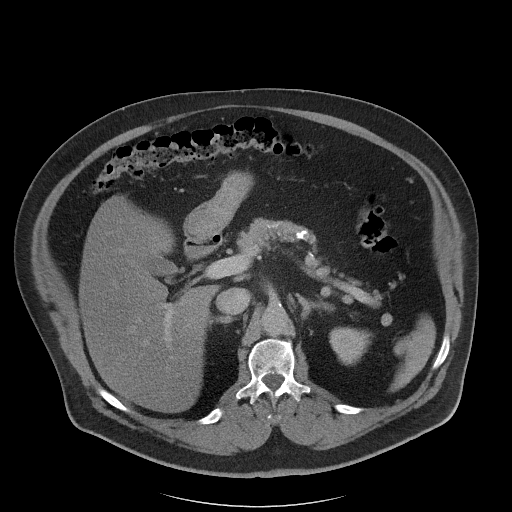
One axial slice (71 of 102, counting up from the lowest) of a contrast-enhanced abdominal CT acquired with 120 kVp, kernel I40f; each pixel is 0.977 mm and the slice is 5.00 mm thick.
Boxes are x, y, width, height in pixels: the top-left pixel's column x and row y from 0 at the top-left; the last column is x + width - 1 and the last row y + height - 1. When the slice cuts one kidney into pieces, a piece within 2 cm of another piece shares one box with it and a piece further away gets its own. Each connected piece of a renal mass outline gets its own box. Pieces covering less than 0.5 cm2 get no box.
Left kidney at x 329, y 327, width 43, height 38 (outlined area 1,178 px, about 11.2 cm2). This slice carries no renal mass outline.